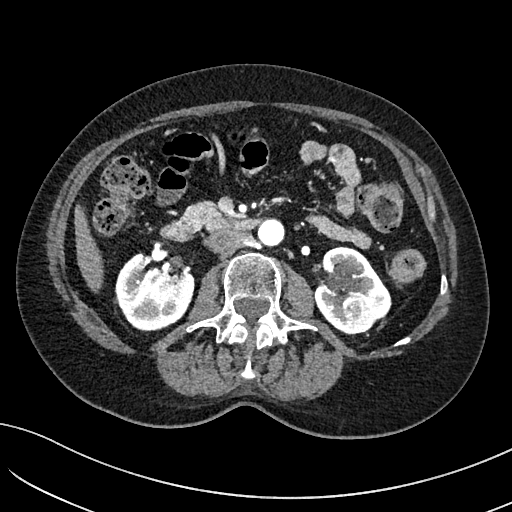
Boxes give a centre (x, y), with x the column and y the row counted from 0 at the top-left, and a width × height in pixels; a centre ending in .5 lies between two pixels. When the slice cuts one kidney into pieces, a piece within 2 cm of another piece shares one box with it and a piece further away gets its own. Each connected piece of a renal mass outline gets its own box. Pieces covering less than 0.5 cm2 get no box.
Arterial-phase contrast-enhanced abdominal CT, axial slice 55 of 234 (counted from the lowest slice); 2.00 mm thick, 0.699 mm per pixel. Boxed on this slice (two kidney boxes and one renal mass box), listed by box centre from the image's left to its right: (1) Right kidney in a box with centre (154.5, 291.5), 80 × 80 pixels (outlined area 4,663 px, about 22.8 cm2). (2) Box centre (351.5, 290), 80 × 89 pixels: left kidney (outlined area 3,783 px, about 18.5 cm2). (3) Left renal mass in a box with centre (362, 313.5), 43 × 42 pixels (outlined area 1,138 px, about 5.6 cm2).
Acquired at 100 kVp and reconstructed with the I40f kernel.